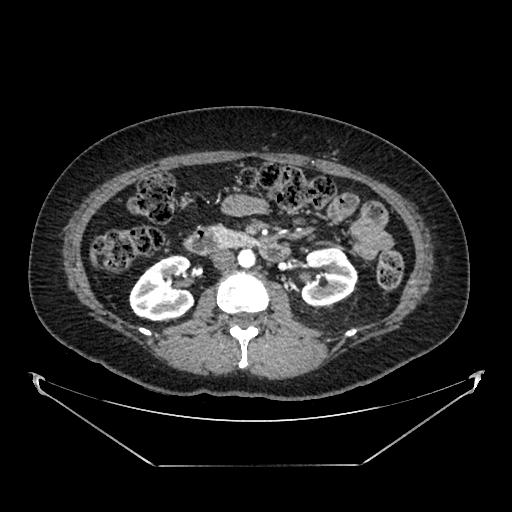
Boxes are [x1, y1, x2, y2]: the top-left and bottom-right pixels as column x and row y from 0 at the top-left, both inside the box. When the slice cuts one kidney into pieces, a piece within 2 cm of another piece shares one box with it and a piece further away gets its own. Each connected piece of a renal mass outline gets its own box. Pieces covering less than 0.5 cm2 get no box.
Arterial-phase contrast-enhanced abdominal CT, axial slice 219 of 383 (counted from the lowest slice); 1.25 mm thick, 0.898 mm per pixel. Two kidney boxes on this slice; by box centre, from the image's left to its right: (1) Box [129, 255, 195, 321]: right kidney (outlined area 3,371 px, about 27.2 cm2). (2) Box [300, 247, 357, 306]: left kidney (outlined area 2,666 px, about 21.5 cm2). No renal mass is outlined on this slice.
Scan settings: 100 kVp, SOFT reconstruction kernel.